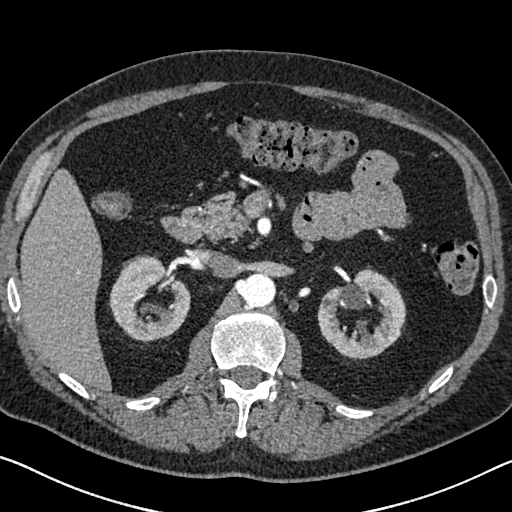
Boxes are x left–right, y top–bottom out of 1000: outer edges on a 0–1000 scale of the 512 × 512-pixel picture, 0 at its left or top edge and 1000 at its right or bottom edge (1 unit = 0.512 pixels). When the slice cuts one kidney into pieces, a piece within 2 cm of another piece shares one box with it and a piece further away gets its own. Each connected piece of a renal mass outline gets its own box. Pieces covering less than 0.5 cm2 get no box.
Arterial-phase contrast-enhanced abdominal CT, axial slice 433 of 626 (counted from the lowest slice); 1.00 mm thick, 0.703 mm per pixel. Two kidney boxes on this slice; by box centre, from the image's left to its right: (1) Right kidney at x 211–373, y 496–670 out of 1000 (outlined area 4,818 px, about 23.8 cm2). (2) Left kidney, box x 619–795, y 520–703 out of 1000 (outlined area 5,159 px, about 25.5 cm2). No renal mass is outlined on this slice.
Acquired at 120 kVp and reconstructed with the I30f kernel.